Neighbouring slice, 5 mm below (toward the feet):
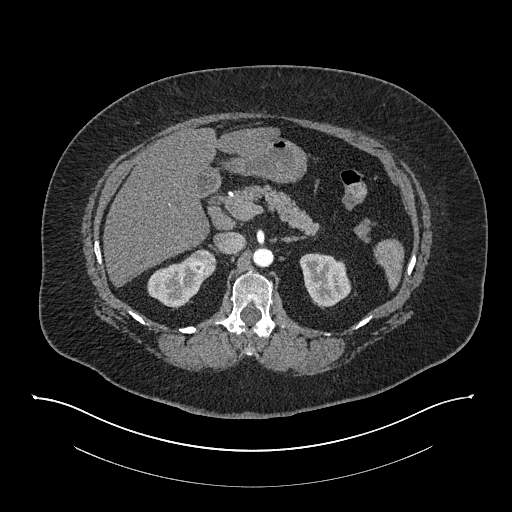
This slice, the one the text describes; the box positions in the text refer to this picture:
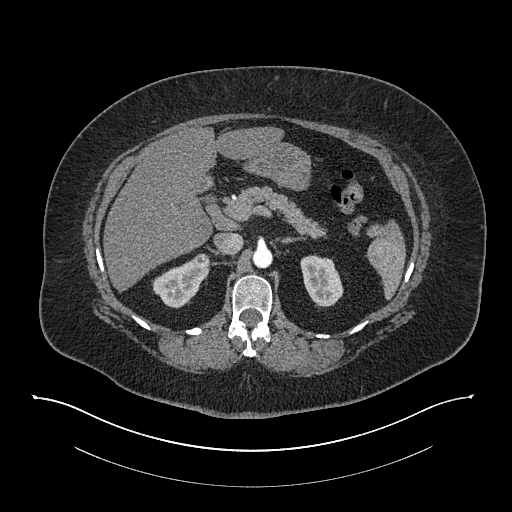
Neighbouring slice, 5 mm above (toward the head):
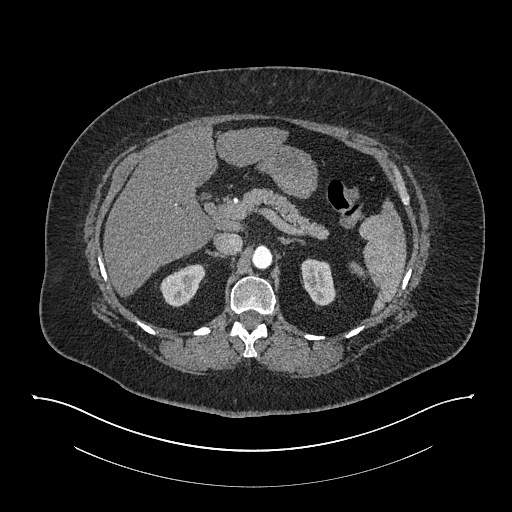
One axial slice (543 of 673, counting up from the lowest) of an arterial-phase abdominal CT acquired with 140 kVp, kernel I30f; each pixel is 0.957 mm and the slice is 1.00 mm thick.
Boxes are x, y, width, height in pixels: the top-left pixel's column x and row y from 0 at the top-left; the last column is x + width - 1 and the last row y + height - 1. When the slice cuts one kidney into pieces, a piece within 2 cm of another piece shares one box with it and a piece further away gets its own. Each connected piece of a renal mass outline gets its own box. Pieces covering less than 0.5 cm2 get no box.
Two kidney boxes and one renal mass box on this slice; by box centre, from the image's left to its right: (1) Right kidney, box x 152, y 260, width 61, height 49 (outlined area 1,674 px, about 15.3 cm2). (2) Box x 192, y 253, width 18, height 18: right renal mass (outlined area 243 px, about 2.2 cm2). (3) Left kidney at x 300, y 254, width 44, height 53 (outlined area 1,676 px, about 15.4 cm2). This slice is near the end of the right renal mass toward the head, so the slices 5 mm below and 5 mm above it are shown as well; the boxes refer to this slice only.